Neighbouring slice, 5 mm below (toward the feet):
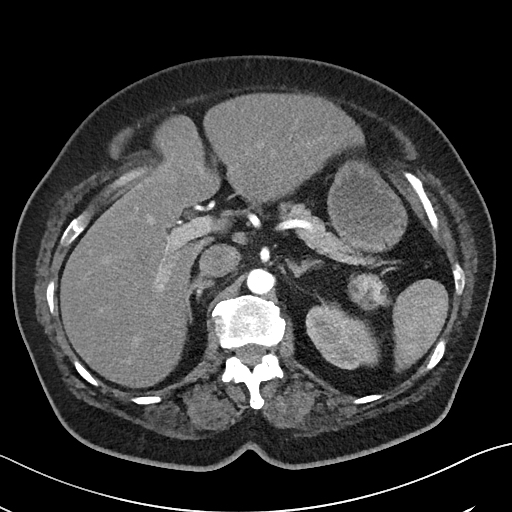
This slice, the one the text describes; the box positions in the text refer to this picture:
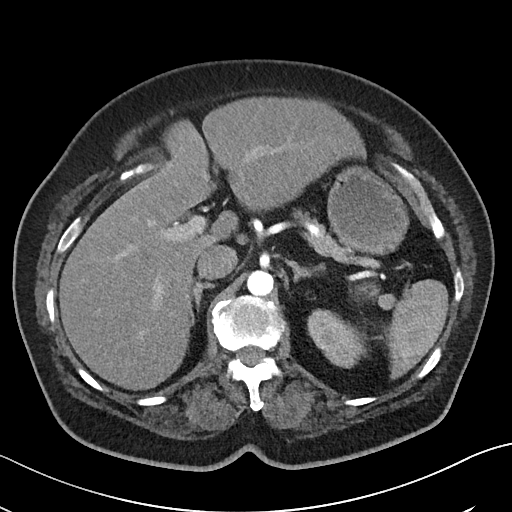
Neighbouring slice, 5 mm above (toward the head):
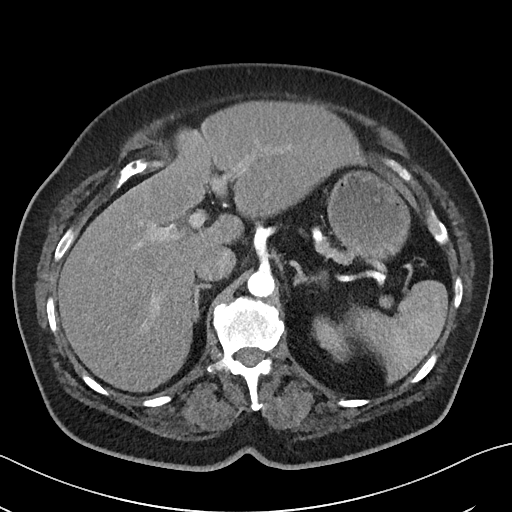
Axial slice 32 of 50 of a contrast-enhanced abdominal CT (slice 1 is the lowest), 100 kVp, kernel I40f; 5.00 mm slice thickness and 0.723 mm pixels.
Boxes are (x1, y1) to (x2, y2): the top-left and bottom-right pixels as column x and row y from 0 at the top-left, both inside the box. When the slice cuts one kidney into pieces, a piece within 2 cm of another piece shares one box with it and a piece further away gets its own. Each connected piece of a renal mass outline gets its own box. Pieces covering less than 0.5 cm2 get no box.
One kidney box and one renal mass box on this slice; by box centre, from the image's left to its right: (1) Box (307, 308) to (365, 368): left kidney (outlined area 2,298 px, about 12.0 cm2). (2) Left renal mass, box (355, 281) to (379, 298) (outlined area 324 px, about 1.7 cm2); it sits over 1 cm from every kidney outline on this slice, but the same outlined renal mass comes within 1 cm of the kidney on another slice. This slice lies near the end of the left renal mass toward the head; the slices 5 mm below and 5 mm above it are shown too, and the boxes mark positions on this slice only.